Axial slice 386 of 734 of a contrast-enhanced abdominal CT (slice 1 is the lowest), 120 kVp, kernel B31f; 2.00 mm slice thickness and 0.971 mm pixels.
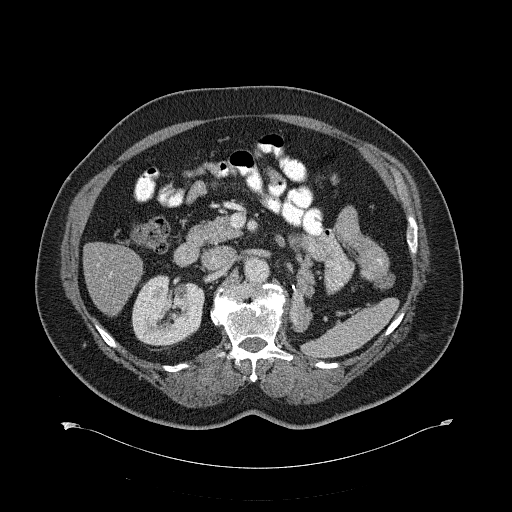
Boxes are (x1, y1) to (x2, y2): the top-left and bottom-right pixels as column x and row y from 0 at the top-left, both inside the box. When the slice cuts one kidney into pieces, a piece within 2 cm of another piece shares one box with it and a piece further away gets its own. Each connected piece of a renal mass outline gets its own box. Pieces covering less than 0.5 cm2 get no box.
Box (132, 274) to (203, 348): right kidney (outlined area 4,164 px, about 39.2 cm2). No renal mass is outlined on this slice.